Arterial-phase contrast-enhanced abdominal CT, axial slice 354 of 738 (counted from the lowest slice); tube voltage 120 kVp, convolution kernel I30f; slices 1.00 mm thick, 0.789 mm per pixel.
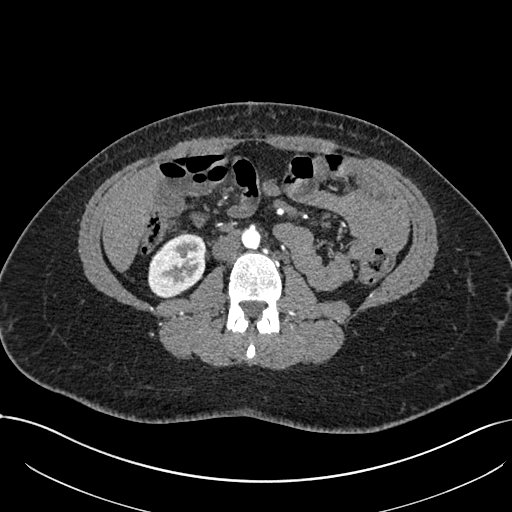
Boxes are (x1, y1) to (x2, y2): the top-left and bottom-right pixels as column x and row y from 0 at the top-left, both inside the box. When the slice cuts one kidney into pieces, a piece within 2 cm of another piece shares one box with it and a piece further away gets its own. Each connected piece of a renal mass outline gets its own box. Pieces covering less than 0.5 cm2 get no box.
Box (148, 234) to (205, 297): right kidney (outlined area 2,837 px, about 17.7 cm2). No renal mass outline on this slice.